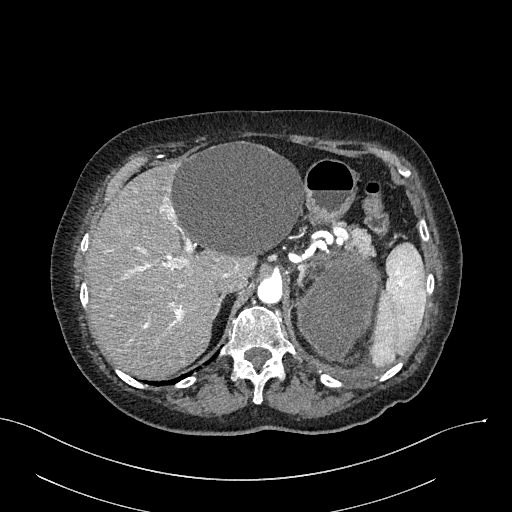
One axial slice (205 of 316, counting up from the lowest) of an arterial-phase abdominal CT acquired with 100 kVp, kernel I40f; each pixel is 0.840 mm and the slice is 2.00 mm thick.
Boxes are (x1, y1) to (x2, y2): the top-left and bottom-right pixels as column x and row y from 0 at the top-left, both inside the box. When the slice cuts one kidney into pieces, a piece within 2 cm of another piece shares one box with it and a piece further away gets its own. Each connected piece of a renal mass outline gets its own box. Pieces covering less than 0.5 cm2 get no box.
Left renal mass from (296, 253) to (379, 360) (outlined area 6,261 px, about 44.2 cm2); no kidney is outlined on this slice, but the same outlined renal mass comes within 1 cm of the kidney on another slice.